Axial slice 533 of 735 of a contrast-enhanced abdominal CT in the arterial phase (slice 1 is the lowest), 120 kVp, kernel I30f; 1.00 mm slice thickness and 0.789 mm pixels.
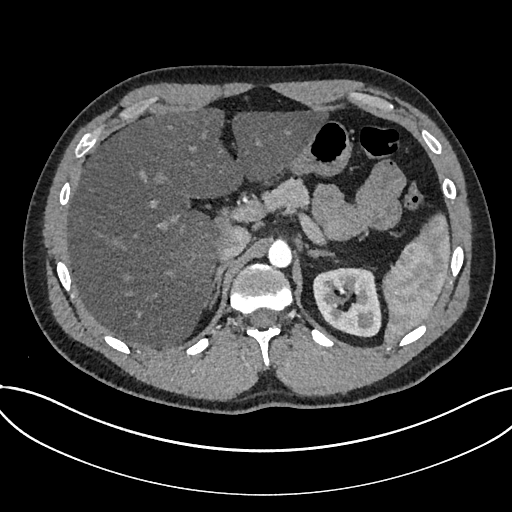
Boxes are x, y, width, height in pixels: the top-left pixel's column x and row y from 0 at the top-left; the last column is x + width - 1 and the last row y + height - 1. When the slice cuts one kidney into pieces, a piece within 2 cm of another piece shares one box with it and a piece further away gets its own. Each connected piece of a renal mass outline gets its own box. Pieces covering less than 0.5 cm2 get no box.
Box x 313, y 267, width 69, height 71: kidney (outlined area 3,757 px, about 23.4 cm2). No renal mass outline on this slice.